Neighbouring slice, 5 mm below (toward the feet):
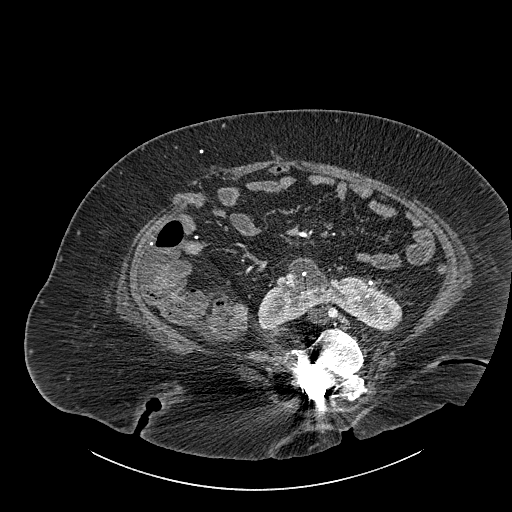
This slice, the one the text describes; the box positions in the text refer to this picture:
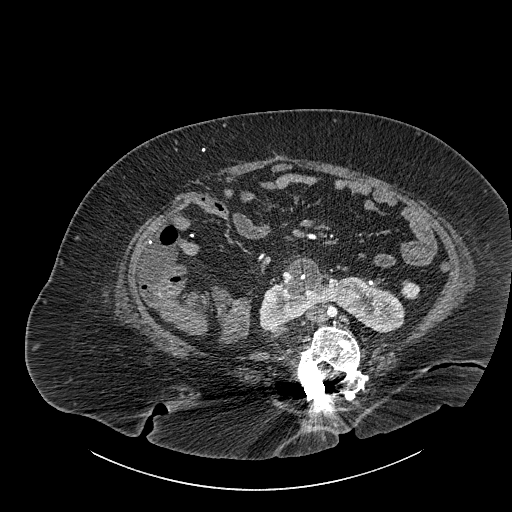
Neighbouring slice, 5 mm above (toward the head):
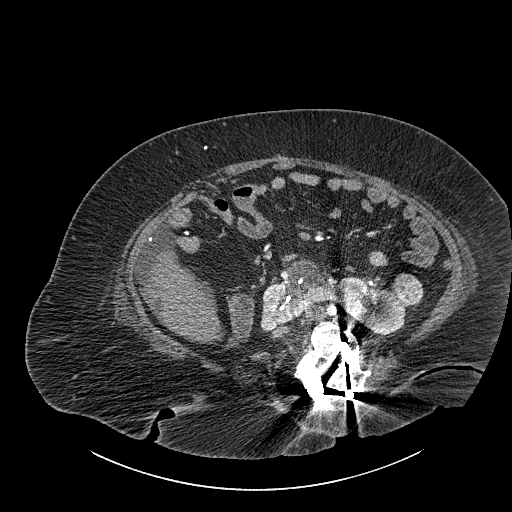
One axial slice (475 of 834, counting up from the lowest) of a contrast-enhanced abdominal CT acquired with 140 kVp, kernel I30f; each pixel is 0.977 mm and the slice is 1.00 mm thick.
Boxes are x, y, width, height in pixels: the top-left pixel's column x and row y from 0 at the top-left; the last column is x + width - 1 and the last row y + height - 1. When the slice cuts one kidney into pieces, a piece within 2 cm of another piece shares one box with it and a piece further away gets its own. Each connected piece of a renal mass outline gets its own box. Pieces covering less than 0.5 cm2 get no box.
Two boxes on this slice (one kidney box and one renal mass box), listed by box centre from the image's left to its right. (1) Kidney crossing the body midline at x 259, y 256, width 147, height 77 (outlined area 5,820 px, about 55.5 cm2). (2) Renal mass, box x 400, y 280, width 20, height 20 (outlined area 298 px, about 2.8 cm2). This slice lies near the end of a renal mass toward the feet; the slices 5 mm below and 5 mm above it are shown too, and the boxes mark positions on this slice only.